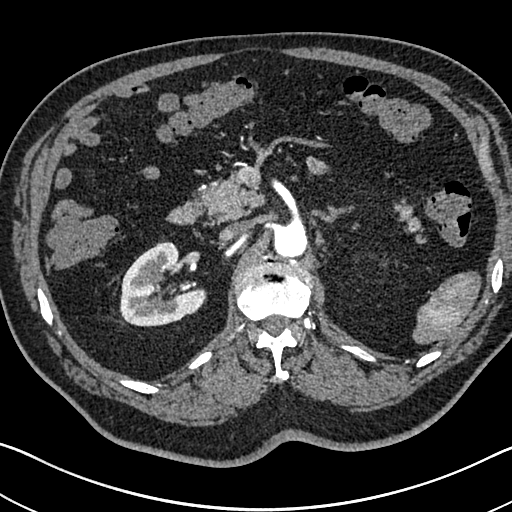
Axial slice 470 of 705 of a contrast-enhanced abdominal CT in the arterial phase (slice 1 is the lowest), 120 kVp, kernel I30f; 1.00 mm slice thickness and 0.703 mm pixels.
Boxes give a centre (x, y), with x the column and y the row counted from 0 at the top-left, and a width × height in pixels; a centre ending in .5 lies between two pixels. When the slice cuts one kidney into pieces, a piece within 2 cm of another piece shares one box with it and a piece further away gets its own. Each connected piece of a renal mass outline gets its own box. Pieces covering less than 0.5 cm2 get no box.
Right kidney in a box with centre (162.5, 283.5), 88 × 86 pixels (outlined area 4,962 px, about 24.5 cm2). This slice carries no renal mass outline.